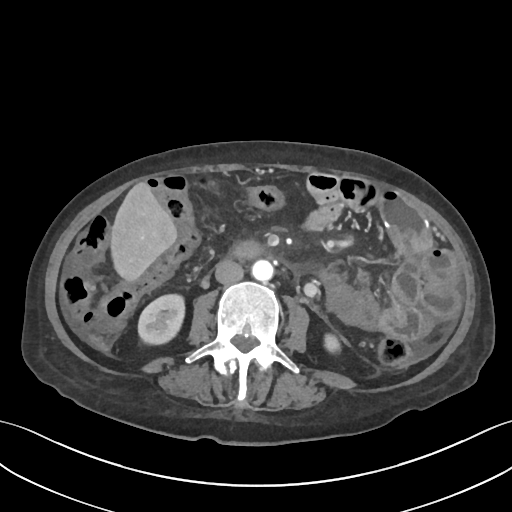
One axial slice (24 of 109, counting up from the lowest) of a contrast-enhanced abdominal CT acquired with 120 kVp, kernel I30f; each pixel is 0.742 mm and the slice is 3.00 mm thick.
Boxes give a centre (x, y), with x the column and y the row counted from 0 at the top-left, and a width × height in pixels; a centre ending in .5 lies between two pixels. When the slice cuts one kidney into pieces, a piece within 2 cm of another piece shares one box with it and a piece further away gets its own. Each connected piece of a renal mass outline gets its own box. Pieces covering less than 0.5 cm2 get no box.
Boxed on this slice (two kidney boxes), listed by box centre from the image's left to its right: (1) Box centre (161, 319), 49 × 53 pixels: right kidney (outlined area 1,986 px, about 10.9 cm2). (2) Left kidney in a box with centre (332, 342.5), 19 × 24 pixels (outlined area 346 px, about 1.9 cm2). No renal mass outline on this slice.